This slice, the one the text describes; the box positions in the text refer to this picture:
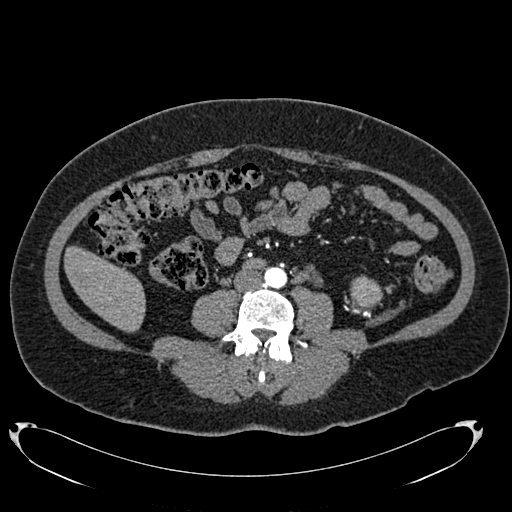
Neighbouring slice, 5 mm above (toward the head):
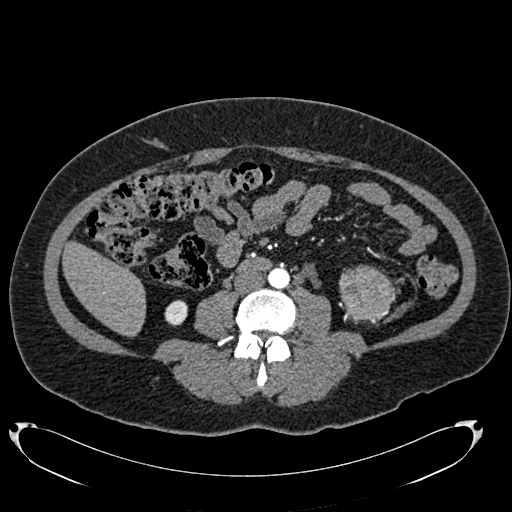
Arterial-phase contrast-enhanced abdominal CT, axial slice 310 of 634 (counted from the lowest slice); tube voltage 120 kVp, convolution kernel B20f; slices 1.00 mm thick, 0.838 mm per pixel.
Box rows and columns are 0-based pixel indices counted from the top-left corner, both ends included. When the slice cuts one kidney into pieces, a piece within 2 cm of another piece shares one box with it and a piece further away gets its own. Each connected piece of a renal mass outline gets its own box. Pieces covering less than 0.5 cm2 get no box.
Left renal mass at rows 275–311, columns 350–382 (outlined area 878 px, about 6.2 cm2); no kidney outline appears on this slice, but the same outlined renal mass comes within 1 cm of the kidney on another slice. This slice is near the end of the left renal mass toward the feet, so the slice 5 mm above it is shown as well; the boxes refer to this slice only.